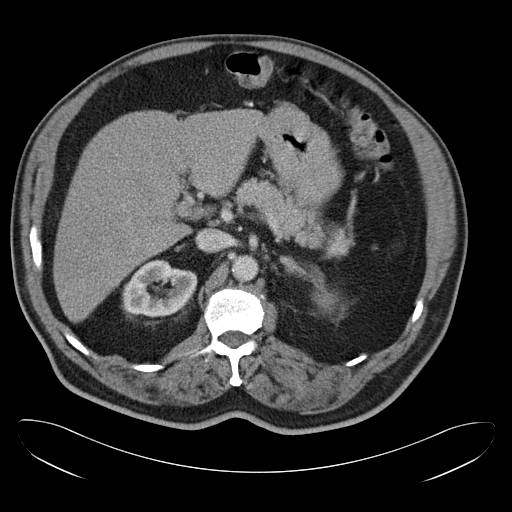
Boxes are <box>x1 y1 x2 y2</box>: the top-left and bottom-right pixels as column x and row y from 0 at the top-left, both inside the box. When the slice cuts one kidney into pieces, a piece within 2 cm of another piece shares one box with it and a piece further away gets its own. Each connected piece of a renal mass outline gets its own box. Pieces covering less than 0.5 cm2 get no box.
This is axial slice 26 of 34 (slice 1 is the lowest) of an arterial-phase abdominal CT with contrast; each pixel is 0.830 mm and the slice is 5.00 mm thick. Boxed on this slice (two kidney boxes), listed by box centre from the image's left to its right: (1) At <box>121 259 197 317</box>: right kidney (outlined area 3,179 px, about 21.9 cm2). (2) Left kidney at <box>312 292 339 313</box> (outlined area 413 px, about 2.8 cm2). No renal mass is outlined on this slice.
Acquired at 120 kVp and reconstructed with the B30f kernel.